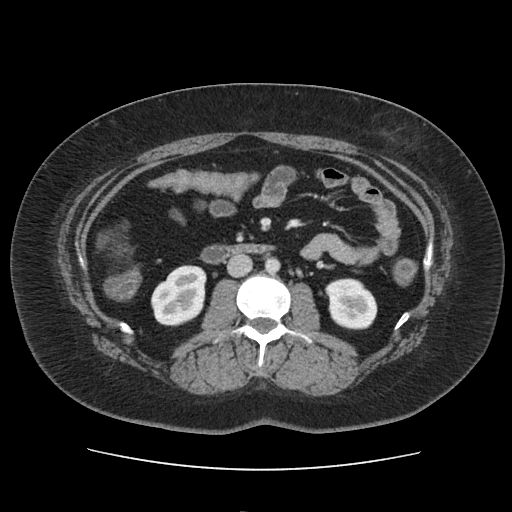
Abdominal CT with intravenous contrast, arterial phase, axial plane, 120 kVp, kernel FC19. Slice 62/103 from the bottom of the scan; thickness 5.00 mm; pixel size 0.873 mm.
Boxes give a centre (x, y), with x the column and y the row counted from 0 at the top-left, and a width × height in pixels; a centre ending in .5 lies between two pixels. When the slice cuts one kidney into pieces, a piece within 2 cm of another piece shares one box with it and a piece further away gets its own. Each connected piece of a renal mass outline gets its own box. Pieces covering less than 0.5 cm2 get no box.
Two boxes on this slice (two kidney boxes), listed by box centre from the image's left to its right. (1) Right kidney in a box with centre (178.5, 295.5), 56 × 62 pixels (outlined area 2,640 px, about 20.1 cm2). (2) Box centre (351, 303.5), 53 × 52 pixels: left kidney (outlined area 2,135 px, about 16.3 cm2). No renal mass outline on this slice.